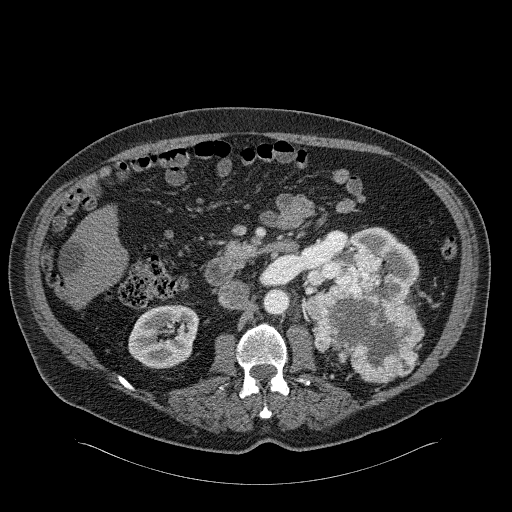
Arterial-phase contrast-enhanced abdominal CT, axial slice 119 of 326 (counted from the lowest slice); tube voltage 120 kVp, convolution kernel B31f; slices 2.00 mm thick, 0.963 mm per pixel.
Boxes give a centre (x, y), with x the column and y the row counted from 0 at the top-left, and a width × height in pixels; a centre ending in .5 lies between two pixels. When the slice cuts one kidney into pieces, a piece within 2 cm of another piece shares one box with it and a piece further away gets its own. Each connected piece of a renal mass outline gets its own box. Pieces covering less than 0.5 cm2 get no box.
Two kidney boxes and one renal mass box on this slice; by box centre, from the image's left to its right: (1) Box centre (163.5, 336), 72 × 65 pixels: right kidney (outlined area 3,523 px, about 32.7 cm2). (2) Box centre (362.5, 264), 114 × 75 pixels: left kidney (outlined area 3,691 px, about 34.2 cm2). (3) Left renal mass, box centre (364, 316), 121 × 135 pixels (outlined area 9,304 px, about 86.3 cm2).